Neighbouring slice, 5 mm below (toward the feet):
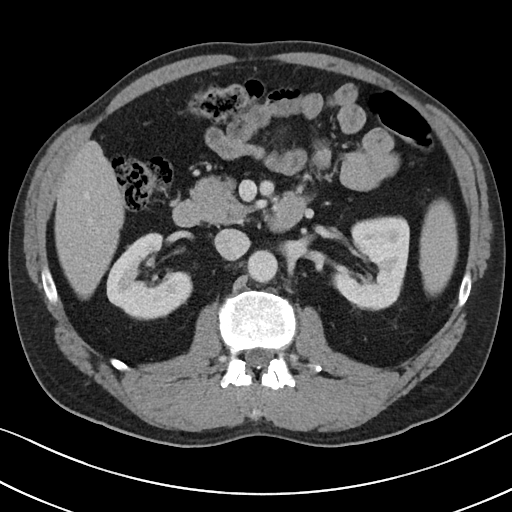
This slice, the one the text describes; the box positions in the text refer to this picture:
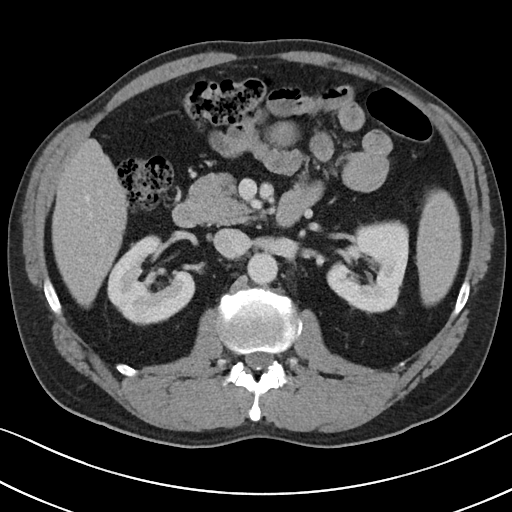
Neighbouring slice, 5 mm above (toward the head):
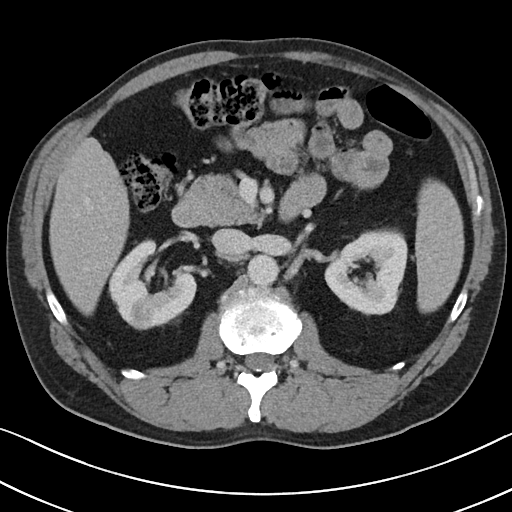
Axial slice 66 of 101 of a contrast-enhanced abdominal CT (slice 1 is the lowest), 100 kVp, kernel I40f; 5.00 mm slice thickness and 0.684 mm pixels.
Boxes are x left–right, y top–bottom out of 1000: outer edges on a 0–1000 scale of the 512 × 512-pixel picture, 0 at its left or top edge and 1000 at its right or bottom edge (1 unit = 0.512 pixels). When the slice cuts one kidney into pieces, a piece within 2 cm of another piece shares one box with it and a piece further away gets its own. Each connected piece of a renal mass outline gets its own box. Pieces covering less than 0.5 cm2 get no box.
Two kidney boxes and one renal mass box on this slice; by box centre, from the image's left to its right: (1) Box x 254–293, y 578–619 out of 1000: right renal mass (outlined area 319 px, about 1.5 cm2). (2) Box x 209–383, y 459–631 out of 1000: right kidney (outlined area 4,533 px, about 21.2 cm2). (3) Left kidney, box x 637–799, y 434–613 out of 1000 (outlined area 5,313 px, about 24.8 cm2). This slice lies near the end of the right renal mass toward the feet; the slices 5 mm below and 5 mm above it are shown too, and the boxes mark positions on this slice only.